Abdominal CT with intravenous contrast, axial plane, 120 kVp, kernel I40f. Slice 97/301 from the bottom of the scan; thickness 2.00 mm; pixel size 0.859 mm.
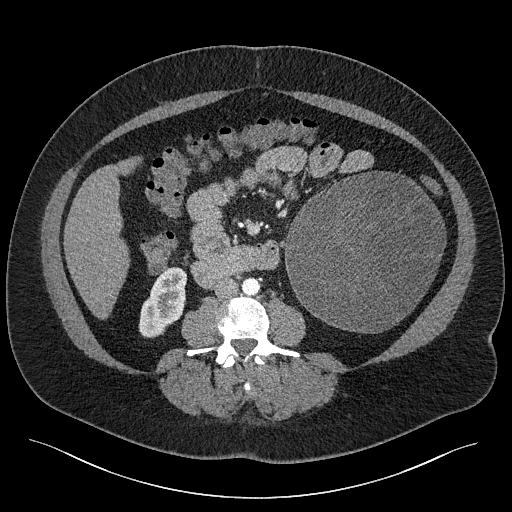
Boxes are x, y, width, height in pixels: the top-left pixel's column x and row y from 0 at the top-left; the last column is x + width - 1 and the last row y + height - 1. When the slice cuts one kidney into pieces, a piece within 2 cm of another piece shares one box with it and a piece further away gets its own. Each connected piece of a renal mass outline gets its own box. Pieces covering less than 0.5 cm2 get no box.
Two boxes on this slice (one kidney box and one renal mass box), listed by box centre from the image's left to its right. (1) Right kidney at x 138, y 266, width 50, height 72 (outlined area 2,341 px, about 17.3 cm2). (2) Left renal mass at x 283, y 171, width 164, height 163 (outlined area 19,986 px, about 147.6 cm2); it sits over 1 cm from every kidney outline on this slice, but the same outlined renal mass comes within 1 cm of the kidney on another slice.